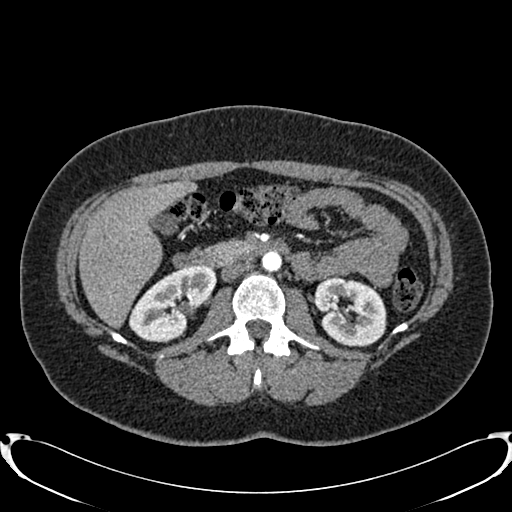
Abdominal CT with intravenous contrast, arterial phase, axial plane, 120 kVp, kernel B20f. Slice 449/719 from the bottom of the scan; thickness 1.00 mm; pixel size 0.766 mm.
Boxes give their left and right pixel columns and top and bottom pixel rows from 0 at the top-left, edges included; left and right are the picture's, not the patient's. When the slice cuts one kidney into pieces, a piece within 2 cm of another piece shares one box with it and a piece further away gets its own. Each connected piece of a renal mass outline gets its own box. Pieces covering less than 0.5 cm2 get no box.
Boxed on this slice (two kidney boxes), listed by box centre from the image's left to its right: (1) Right kidney, the box with left 129, top 265, right 216, bottom 342 (outlined area 4,290 px, about 25.1 cm2). (2) Left kidney in the box with left 312, top 276, right 386, bottom 346 (outlined area 3,883 px, about 22.8 cm2). No renal mass outline on this slice.